Axial slice 252 of 538 of a contrast-enhanced abdominal CT in the arterial phase (slice 1 is the lowest), 120 kVp, kernel B30f; 1.00 mm slice thickness and 0.811 mm pixels.
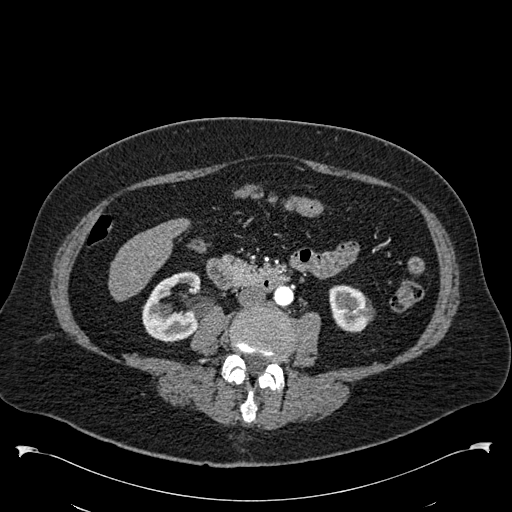
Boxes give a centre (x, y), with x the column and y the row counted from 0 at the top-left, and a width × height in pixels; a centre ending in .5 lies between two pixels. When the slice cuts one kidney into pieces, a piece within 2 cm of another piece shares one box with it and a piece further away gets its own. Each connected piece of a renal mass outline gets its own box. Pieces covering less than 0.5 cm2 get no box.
Two boxes on this slice (two kidney boxes), listed by box centre from the image's left to its right. (1) Box centre (171.5, 306.5), 60 × 72 pixels: right kidney (outlined area 2,923 px, about 19.2 cm2). (2) Left kidney, box centre (351, 308), 45 × 49 pixels (outlined area 1,622 px, about 10.7 cm2).